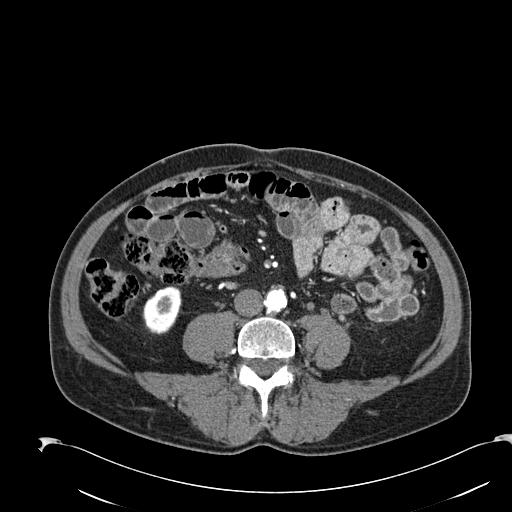
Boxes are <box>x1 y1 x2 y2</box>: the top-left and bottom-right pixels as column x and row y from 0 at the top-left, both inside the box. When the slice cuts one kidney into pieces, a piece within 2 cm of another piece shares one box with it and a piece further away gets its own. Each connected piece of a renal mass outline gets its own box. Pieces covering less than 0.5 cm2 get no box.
Arterial-phase contrast-enhanced abdominal CT, axial slice 46 of 274 (counted from the lowest slice); 2.00 mm thick, 0.809 mm per pixel. Right kidney: <box>142 286 181 334</box> (outlined area 1,433 px, about 9.4 cm2). This slice carries no renal mass outline.
Acquired at 120 kVp and reconstructed with the B30f kernel.